Contrast-enhanced abdominal CT, axial slice 31 of 50 (counted from the lowest slice); tube voltage 100 kVp, convolution kernel I40f; slices 5.00 mm thick, 0.723 mm per pixel.
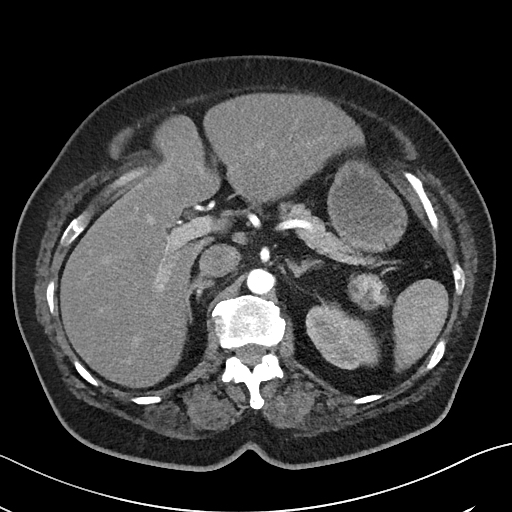
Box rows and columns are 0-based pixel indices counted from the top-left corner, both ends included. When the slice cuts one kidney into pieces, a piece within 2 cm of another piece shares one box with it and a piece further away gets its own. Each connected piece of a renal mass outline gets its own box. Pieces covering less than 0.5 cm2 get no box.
Boxed on this slice (one kidney box and one renal mass box), listed by box centre from the image's left to its right: (1) Left kidney at rows 302–369, columns 305–379 (outlined area 3,451 px, about 18.0 cm2). (2) Box rows 273–310, columns 348–391: left renal mass (outlined area 1,204 px, about 6.3 cm2).